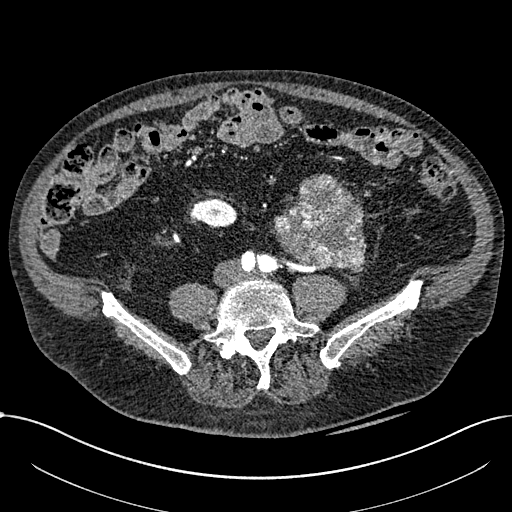
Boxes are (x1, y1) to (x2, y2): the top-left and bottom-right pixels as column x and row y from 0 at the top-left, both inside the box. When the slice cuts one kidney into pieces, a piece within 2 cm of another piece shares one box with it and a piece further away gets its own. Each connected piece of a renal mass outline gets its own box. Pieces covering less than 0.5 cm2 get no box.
This is axial slice 207 of 1059 (slice 1 is the lowest) of an arterial-phase abdominal CT with contrast; each pixel is 0.811 mm and the slice is 1.00 mm thick. Boxed on this slice (one kidney box and one renal mass box), listed by box centre from the image's left to its right: (1) Right part of the midline-crossing kidney from (190, 198) to (237, 227) (outlined area 1,056 px, about 6.9 cm2). (2) Box (273, 173) to (366, 272): renal mass (outlined area 6,536 px, about 42.9 cm2); it sits over 1 cm from every kidney outline on this slice, but the same outlined renal mass comes within 1 cm of the kidney on another slice.
Tube voltage 100 kVp; convolution kernel I30f.